Abdominal CT with intravenous contrast, arterial phase, axial plane, 120 kVp, kernel B31f. Slice 132/279 from the bottom of the scan; thickness 2.00 mm; pixel size 0.824 mm.
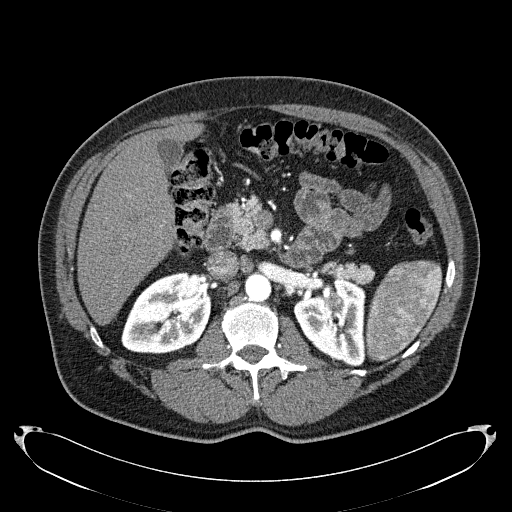
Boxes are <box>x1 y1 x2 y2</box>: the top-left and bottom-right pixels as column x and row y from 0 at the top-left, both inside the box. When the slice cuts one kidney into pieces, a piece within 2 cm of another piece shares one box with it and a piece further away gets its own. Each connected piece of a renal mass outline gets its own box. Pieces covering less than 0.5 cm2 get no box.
Boxed on this slice (two kidney boxes and one renal mass box), listed by box centre from the image's left to its right: (1) Right kidney at <box>121 272 211 353</box> (outlined area 5,558 px, about 37.8 cm2). (2) Left kidney at <box>293 277 365 366</box> (outlined area 4,352 px, about 29.6 cm2). (3) Left renal mass at <box>325 292 343 312</box> (outlined area 340 px, about 2.3 cm2).